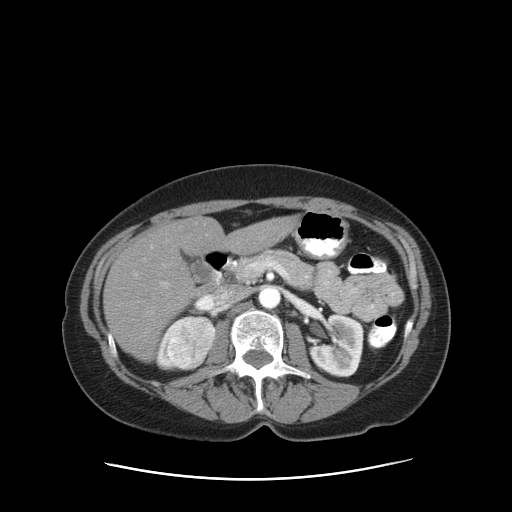
One axial slice (55 of 83, counting up from the lowest) of an arterial-phase abdominal CT acquired with 120 kVp, kernel STANDARD; each pixel is 0.775 mm and the slice is 5.00 mm thick.
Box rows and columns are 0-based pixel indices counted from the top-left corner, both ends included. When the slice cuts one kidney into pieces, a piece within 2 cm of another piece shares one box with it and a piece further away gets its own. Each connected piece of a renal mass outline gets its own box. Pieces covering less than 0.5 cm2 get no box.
Two kidney boxes and one renal mass box on this slice; by box centre, from the image's left to its right: (1) Right kidney at rows 319–370, columns 156–184 (outlined area 507 px, about 3.0 cm2). (2) Box rows 315–370, columns 167–215: right renal mass (outlined area 2,060 px, about 12.4 cm2). (3) Left kidney, box rows 314–377, columns 308–364 (outlined area 2,673 px, about 16.1 cm2).